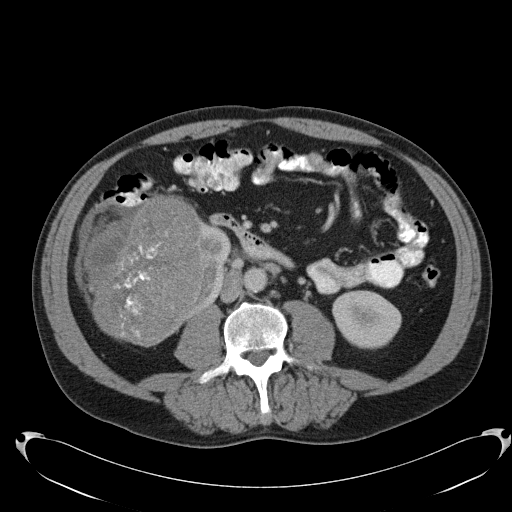
Axial slice 56 of 103 of a contrast-enhanced abdominal CT (slice 1 is the lowest), 120 kVp, kernel B31f; 5.00 mm slice thickness and 0.801 mm pixels.
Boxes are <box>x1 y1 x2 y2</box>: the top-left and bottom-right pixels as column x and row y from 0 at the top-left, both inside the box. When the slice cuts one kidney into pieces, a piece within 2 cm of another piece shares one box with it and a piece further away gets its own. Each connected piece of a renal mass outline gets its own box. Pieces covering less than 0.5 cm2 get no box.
Two kidney boxes and one renal mass box on this slice; by box centre, from the image's left to its right: (1) Right renal mass: <box>83 194 204 347</box> (outlined area 13,964 px, about 89.5 cm2). (2) Right kidney at <box>188 219 231 318</box> (outlined area 2,020 px, about 13.0 cm2). (3) At <box>332 290 401 349</box>: left kidney (outlined area 3,165 px, about 20.3 cm2).